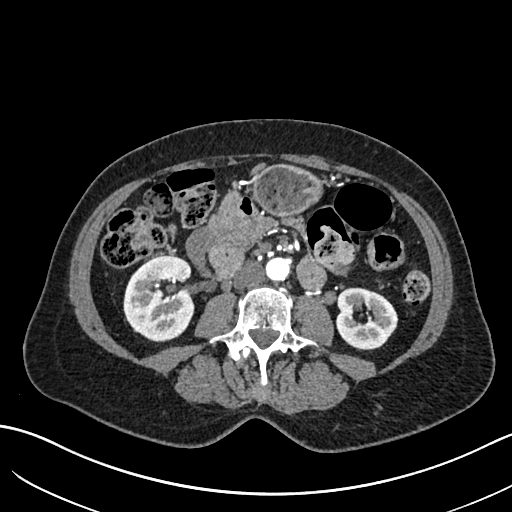
One axial slice (317 of 683, counting up from the lowest) of an arterial-phase abdominal CT acquired with 120 kVp, kernel I30f; each pixel is 0.738 mm and the slice is 1.00 mm thick.
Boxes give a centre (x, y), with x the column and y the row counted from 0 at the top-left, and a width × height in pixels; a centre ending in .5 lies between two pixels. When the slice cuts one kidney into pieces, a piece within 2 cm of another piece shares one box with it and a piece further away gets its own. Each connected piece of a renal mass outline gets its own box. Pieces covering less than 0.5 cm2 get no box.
Two kidney boxes on this slice; by box centre, from the image's left to its right: (1) Right kidney, box centre (158.5, 298), 72 × 87 pixels (outlined area 4,882 px, about 26.6 cm2). (2) Left kidney, box centre (367, 318), 63 × 63 pixels (outlined area 2,938 px, about 16.0 cm2). No renal mass outline on this slice.